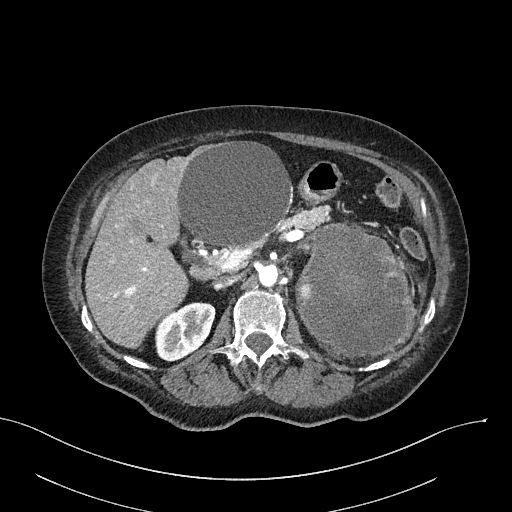
Abdominal CT with intravenous contrast, arterial phase, axial plane, 100 kVp, kernel I40f. Slice 165/316 from the bottom of the scan; thickness 2.00 mm; pixel size 0.840 mm.
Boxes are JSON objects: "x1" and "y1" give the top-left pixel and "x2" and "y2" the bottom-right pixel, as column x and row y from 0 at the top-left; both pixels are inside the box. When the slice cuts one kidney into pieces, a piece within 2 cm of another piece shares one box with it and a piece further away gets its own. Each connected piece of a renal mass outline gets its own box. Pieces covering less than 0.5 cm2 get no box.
Boxed on this slice (one kidney box and one renal mass box), listed by box centre from the image's left to its right: (1) Right kidney, box {"x1": 154, "y1": 302, "x2": 215, "y2": 361} (outlined area 2,610 px, about 18.4 cm2). (2) Box {"x1": 295, "y1": 223, "x2": 416, "y2": 357}: left renal mass (outlined area 12,315 px, about 86.9 cm2); on this slice it lies more than 1 cm from any kidney outline, but the same outlined renal mass comes within 1 cm of the kidney on another slice.